Axial slice 49 of 80 of a contrast-enhanced abdominal CT in the arterial phase (slice 1 is the lowest), 100 kVp, kernel I40f; 5.00 mm slice thickness and 0.648 mm pixels.
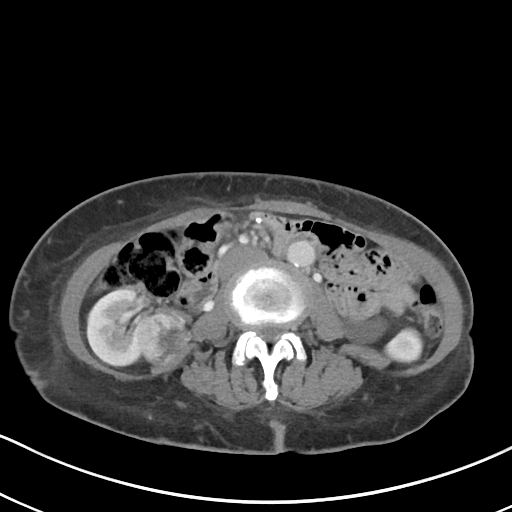
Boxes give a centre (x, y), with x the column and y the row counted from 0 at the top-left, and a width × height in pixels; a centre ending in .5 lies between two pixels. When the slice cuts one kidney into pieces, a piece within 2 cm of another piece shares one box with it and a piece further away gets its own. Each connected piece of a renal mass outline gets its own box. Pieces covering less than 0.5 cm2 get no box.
Two kidney boxes and one renal mass box on this slice; by box centre, from the image's left to its right: (1) Box centre (126.5, 327.5), 80 × 76 pixels: right kidney (outlined area 3,708 px, about 15.6 cm2). (2) Right renal mass, box centre (164.5, 339), 54 × 61 pixels (outlined area 2,354 px, about 9.9 cm2). (3) Box centre (383, 337.5), 75 × 46 pixels: left kidney (outlined area 1,751 px, about 7.4 cm2).